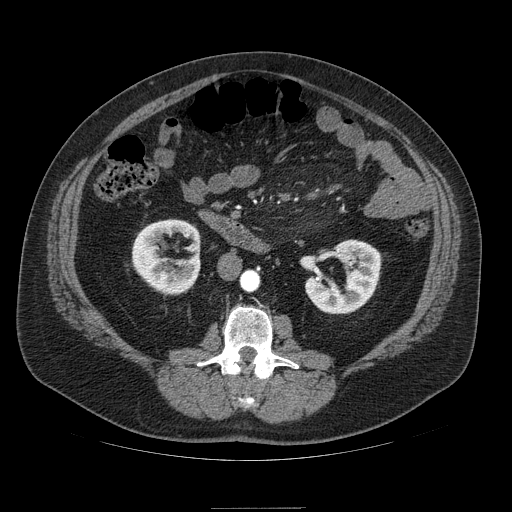
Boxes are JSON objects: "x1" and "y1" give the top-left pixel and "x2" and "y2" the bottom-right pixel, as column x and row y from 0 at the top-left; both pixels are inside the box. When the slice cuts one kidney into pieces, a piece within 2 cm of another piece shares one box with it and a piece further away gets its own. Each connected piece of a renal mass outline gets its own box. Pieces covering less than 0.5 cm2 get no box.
Slice 40/121 of a contrast-enhanced abdominal CT in the arterial phase, counting up from the lowest; pixel size 0.861 mm, slice thickness 2.50 mm. Boxed on this slice (two kidney boxes), listed by box centre from the image's left to its right: (1) Right kidney, box {"x1": 132, "y1": 219, "x2": 201, "y2": 294} (outlined area 3,744 px, about 27.8 cm2). (2) Box {"x1": 305, "y1": 239, "x2": 381, "y2": 313}: left kidney (outlined area 3,637 px, about 27.0 cm2). No renal mass outline on this slice.
Acquired at 120 kVp and reconstructed with the STANDARD kernel.